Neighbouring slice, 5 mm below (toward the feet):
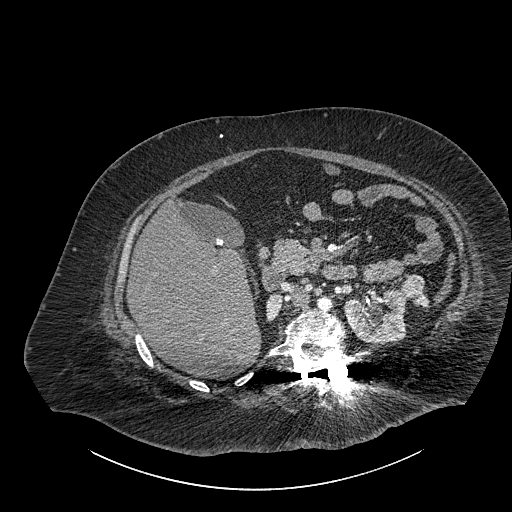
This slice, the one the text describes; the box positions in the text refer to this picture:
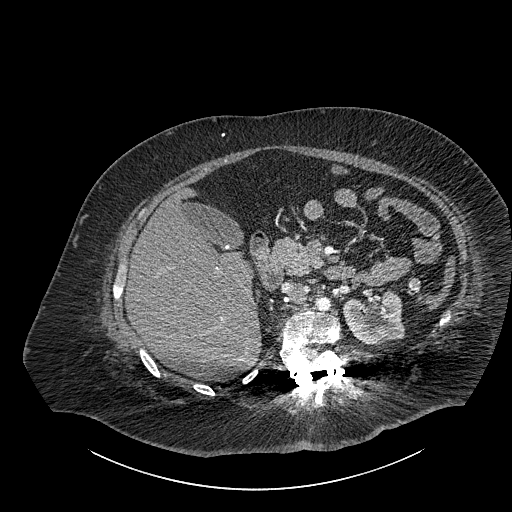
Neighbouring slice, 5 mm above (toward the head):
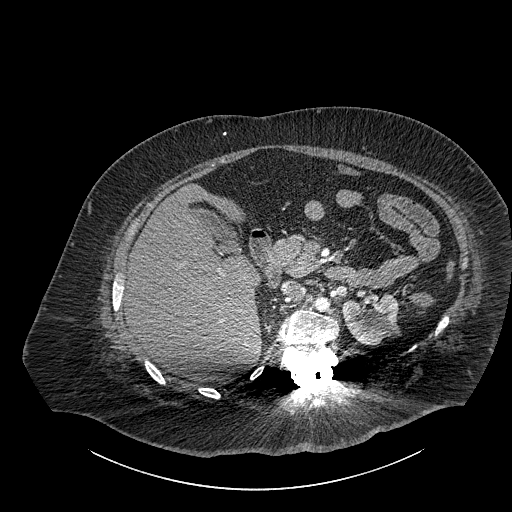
Axial slice 579 of 834 of a contrast-enhanced abdominal CT (slice 1 is the lowest), 140 kVp, kernel I30f; 1.00 mm slice thickness and 0.977 mm pixels.
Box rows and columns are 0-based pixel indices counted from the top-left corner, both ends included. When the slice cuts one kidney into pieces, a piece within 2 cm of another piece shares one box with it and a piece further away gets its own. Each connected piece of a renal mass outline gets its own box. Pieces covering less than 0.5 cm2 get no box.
Two boxes on this slice (one kidney box and one renal mass box), listed by box centre from the image's left to its right. (1) Box rows 290–344, columns 342–404: left part of the midline-crossing kidney (outlined area 2,557 px, about 24.4 cm2). (2) Renal mass at rows 277–292, columns 407–420 (outlined area 172 px, about 1.6 cm2); on this slice it lies more than 1 cm from any kidney outline, but the same outlined renal mass comes within 1 cm of the kidney on another slice. This slice is near the end of a renal mass toward the head, so the slices 5 mm below and 5 mm above it are shown as well; the boxes refer to this slice only.